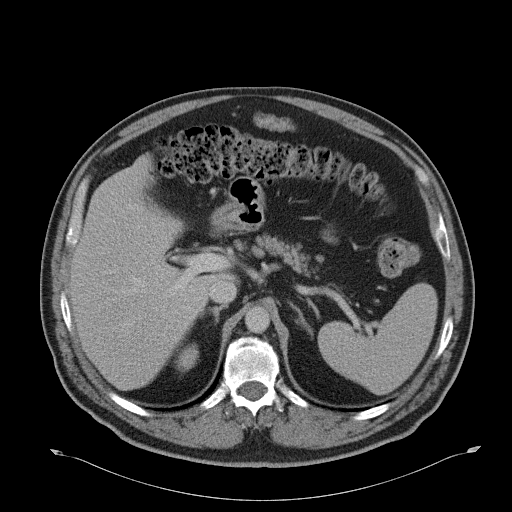
Abdominal CT with intravenous contrast, axial plane, 120 kVp, kernel B31f. Slice 32/51 from the bottom of the scan; thickness 5.00 mm; pixel size 0.865 mm.
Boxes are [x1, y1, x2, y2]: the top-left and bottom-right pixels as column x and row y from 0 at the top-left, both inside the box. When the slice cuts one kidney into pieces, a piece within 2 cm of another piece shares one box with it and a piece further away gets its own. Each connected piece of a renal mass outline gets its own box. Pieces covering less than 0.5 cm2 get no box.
Right kidney, box [175, 343, 198, 372] (outlined area 487 px, about 3.6 cm2). No renal mass is outlined on this slice.